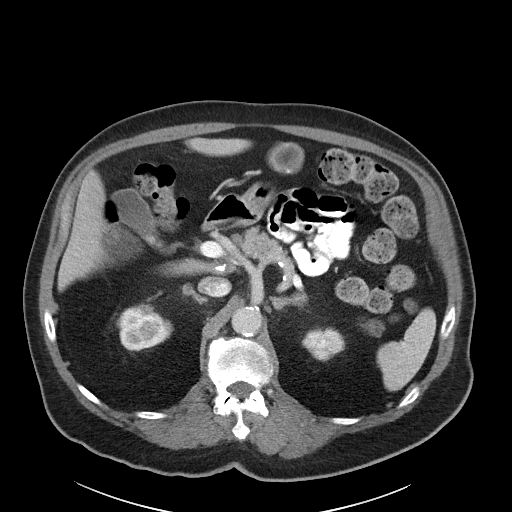
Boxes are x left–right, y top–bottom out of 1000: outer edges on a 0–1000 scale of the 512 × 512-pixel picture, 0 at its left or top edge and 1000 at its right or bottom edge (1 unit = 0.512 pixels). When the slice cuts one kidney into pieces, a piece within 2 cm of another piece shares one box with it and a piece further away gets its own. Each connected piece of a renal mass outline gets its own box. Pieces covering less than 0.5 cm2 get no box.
This is axial slice 67 of 89 (slice 1 is the lowest) of an arterial-phase abdominal CT with contrast; each pixel is 0.885 mm and the slice is 5.00 mm thick. Two kidney boxes on this slice; by box centre, from the image's left to its right: (1) Right kidney, box x 227–340, y 590–688 out of 1000 (outlined area 1,992 px, about 15.6 cm2). (2) Left kidney at x 588–676, y 637–707 out of 1000 (outlined area 1,114 px, about 8.7 cm2). No renal mass is outlined on this slice.
Scan settings: 100 kVp, I40f reconstruction kernel.